Abdominal CT with intravenous contrast, arterial phase, axial plane, 120 kVp, kernel B20f. Slice 341/634 from the bottom of the scan; thickness 1.00 mm; pixel size 0.838 mm.
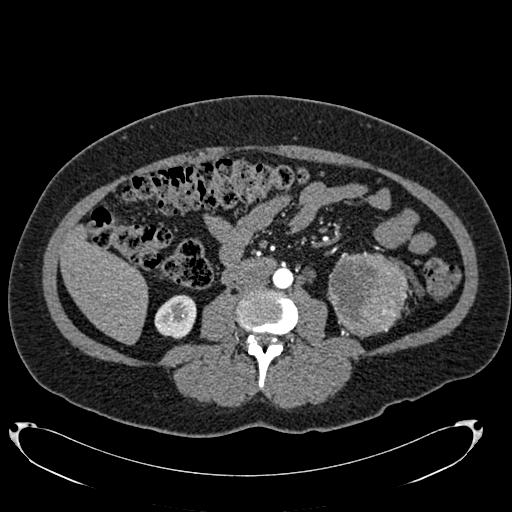
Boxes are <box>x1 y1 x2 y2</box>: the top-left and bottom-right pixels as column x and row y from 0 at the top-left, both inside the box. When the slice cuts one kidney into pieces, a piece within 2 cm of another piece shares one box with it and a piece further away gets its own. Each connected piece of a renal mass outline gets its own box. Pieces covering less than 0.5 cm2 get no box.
Boxed on this slice (one kidney box and one renal mass box), listed by box centre from the image's left to its right: (1) At <box>154 294 196 339</box>: right kidney (outlined area 1,444 px, about 10.1 cm2). (2) Left renal mass: <box>327 251 408 338</box> (outlined area 5,373 px, about 37.7 cm2); it sits over 1 cm from every kidney outline on this slice, but the same outlined renal mass comes within 1 cm of the kidney on another slice.